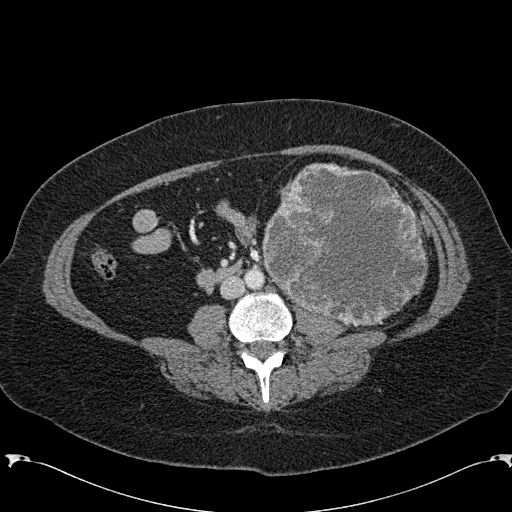
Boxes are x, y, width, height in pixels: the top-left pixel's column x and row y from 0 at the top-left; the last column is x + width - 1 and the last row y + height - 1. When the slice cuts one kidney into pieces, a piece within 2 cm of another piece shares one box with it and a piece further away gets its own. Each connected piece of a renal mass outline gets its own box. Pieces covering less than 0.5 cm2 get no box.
This is axial slice 75 of 285 (slice 1 is the lowest) of an arterial-phase abdominal CT with contrast; each pixel is 0.762 mm and the slice is 2.00 mm thick. Left renal mass at x 262, y 162, width 167, height 166 (outlined area 20,499 px, about 118.9 cm2); no kidney is outlined on this slice, but the same outlined renal mass comes within 1 cm of the kidney on another slice.
Tube voltage 120 kVp; convolution kernel B31f.